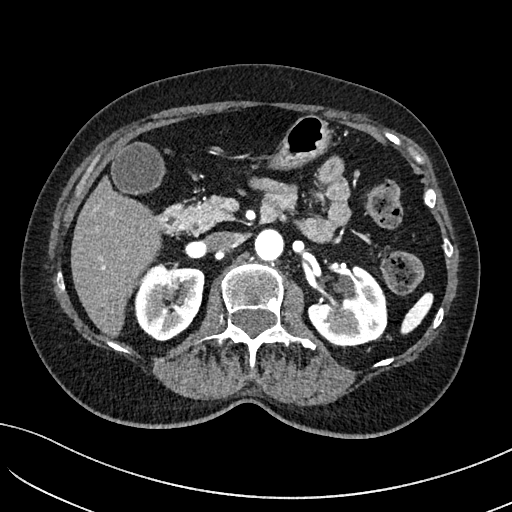
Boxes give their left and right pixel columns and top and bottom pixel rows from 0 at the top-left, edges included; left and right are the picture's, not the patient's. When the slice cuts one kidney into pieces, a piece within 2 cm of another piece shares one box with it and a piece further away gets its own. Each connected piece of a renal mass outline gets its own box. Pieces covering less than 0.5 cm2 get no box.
This is axial slice 78 of 234 (slice 1 is the lowest) of an arterial-phase abdominal CT with contrast; each pixel is 0.699 mm and the slice is 2.00 mm thick. Two boxes on this slice (two kidney boxes), listed by box centre from the image's left to its right. (1) Right kidney, the box with left 134, top 264, right 204, bottom 341 (outlined area 4,161 px, about 20.3 cm2). (2) Box with left 307, top 266, right 387, bottom 347: left kidney (outlined area 4,516 px, about 22.1 cm2). No renal mass outline on this slice.
Scan settings: 100 kVp, I40f reconstruction kernel.